Arterial-phase contrast-enhanced abdominal CT, axial slice 301 of 602 (counted from the lowest slice); tube voltage 120 kVp, convolution kernel I30f; slices 1.00 mm thick, 0.799 mm per pixel.
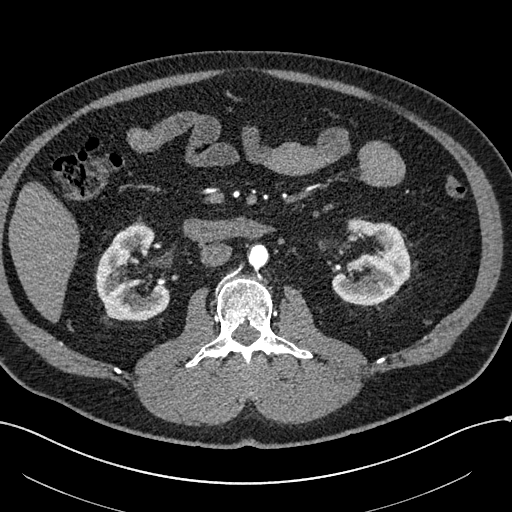
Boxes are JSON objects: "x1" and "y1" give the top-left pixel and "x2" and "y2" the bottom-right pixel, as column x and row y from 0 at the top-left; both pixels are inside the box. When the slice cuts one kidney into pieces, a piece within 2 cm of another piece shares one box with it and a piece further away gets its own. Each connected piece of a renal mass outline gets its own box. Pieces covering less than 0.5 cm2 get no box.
Two kidney boxes on this slice; by box centre, from the image's left to its right: (1) Box {"x1": 96, "y1": 224, "x2": 170, "y2": 320}: right kidney (outlined area 4,800 px, about 30.6 cm2). (2) Left kidney, box {"x1": 332, "y1": 218, "x2": 410, "y2": 305} (outlined area 4,719 px, about 30.1 cm2). This slice carries no renal mass outline.